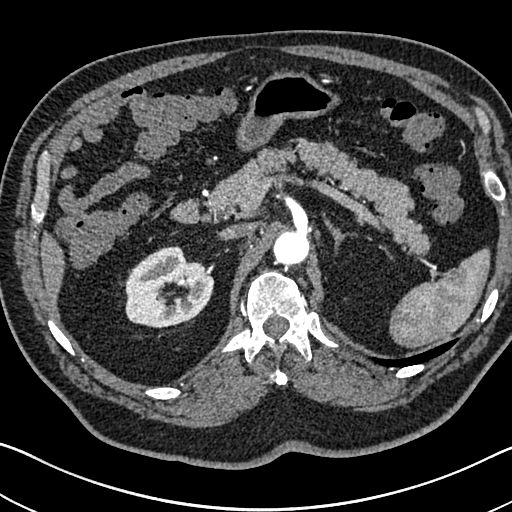
Arterial-phase contrast-enhanced abdominal CT, axial slice 494 of 705 (counted from the lowest slice); tube voltage 120 kVp, convolution kernel I30f; slices 1.00 mm thick, 0.703 mm per pixel.
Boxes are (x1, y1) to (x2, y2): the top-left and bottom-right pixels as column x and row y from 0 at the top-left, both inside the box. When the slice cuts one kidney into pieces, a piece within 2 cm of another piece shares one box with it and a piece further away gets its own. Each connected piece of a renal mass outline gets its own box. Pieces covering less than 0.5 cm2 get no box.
Right kidney from (124, 246) to (214, 328) (outlined area 5,271 px, about 26.1 cm2). No renal mass is outlined on this slice.